One axial slice (28 of 121, counting up from the lowest) of an arterial-phase abdominal CT acquired with 120 kVp, kernel STANDARD; each pixel is 0.861 mm and the slice is 2.50 mm thick.
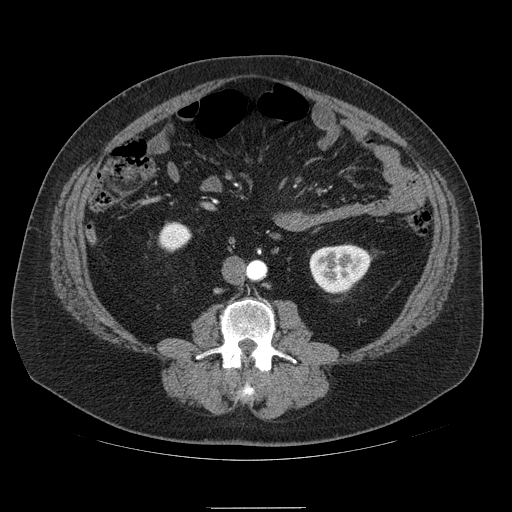
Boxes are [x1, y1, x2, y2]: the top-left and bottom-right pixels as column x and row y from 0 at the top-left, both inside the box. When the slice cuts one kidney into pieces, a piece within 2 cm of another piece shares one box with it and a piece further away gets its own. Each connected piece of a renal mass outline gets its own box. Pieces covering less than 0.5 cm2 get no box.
Boxed on this slice (two kidney boxes), listed by box centre from the image's left to its right: (1) Right kidney at [158, 222, 190, 251] (outlined area 722 px, about 5.4 cm2). (2) Left kidney, box [309, 244, 371, 293] (outlined area 2,318 px, about 17.2 cm2). No renal mass outline on this slice.